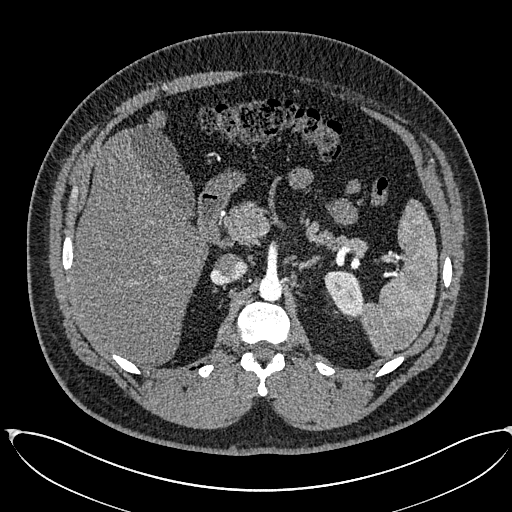
Axial slice 422 of 673 of a contrast-enhanced abdominal CT in the arterial phase (slice 1 is the lowest), 120 kVp, kernel I30f; 1.00 mm slice thickness and 0.855 mm pixels.
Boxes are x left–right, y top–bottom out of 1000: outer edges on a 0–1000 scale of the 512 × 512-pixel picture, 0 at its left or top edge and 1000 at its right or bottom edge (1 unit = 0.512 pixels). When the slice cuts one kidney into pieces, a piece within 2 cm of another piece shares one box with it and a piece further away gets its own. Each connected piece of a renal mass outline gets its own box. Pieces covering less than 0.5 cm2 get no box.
Left kidney, box x 633–713, y 527–623 out of 1000 (outlined area 1,368 px, about 10.0 cm2). No renal mass is outlined on this slice.